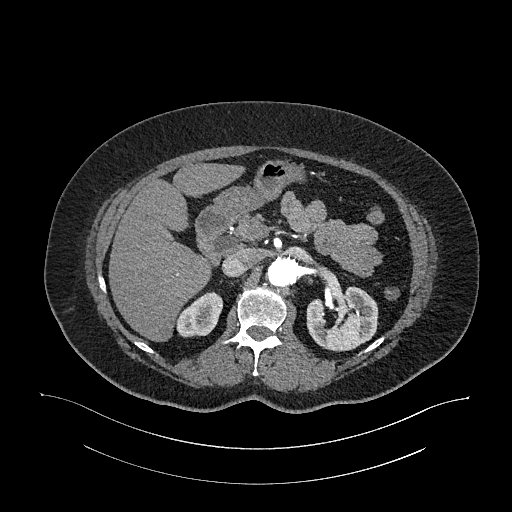
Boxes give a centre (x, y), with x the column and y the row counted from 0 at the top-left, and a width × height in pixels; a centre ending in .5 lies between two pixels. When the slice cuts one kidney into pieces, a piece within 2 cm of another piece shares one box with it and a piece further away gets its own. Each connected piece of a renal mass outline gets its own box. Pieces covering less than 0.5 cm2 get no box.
Slice 713/987 of a contrast-enhanced abdominal CT in the arterial phase, counting up from the lowest; pixel size 0.977 mm, slice thickness 1.00 mm. Two boxes on this slice (two kidney boxes), listed by box centre from the image's left to its right. (1) Box centre (198.5, 314), 48 × 47 pixels: right kidney (outlined area 1,506 px, about 14.4 cm2). (2) Left kidney in a box with centre (342, 318.5), 73 × 66 pixels (outlined area 3,557 px, about 33.9 cm2). No renal mass outline on this slice.
Tube voltage 120 kVp; convolution kernel I26f.